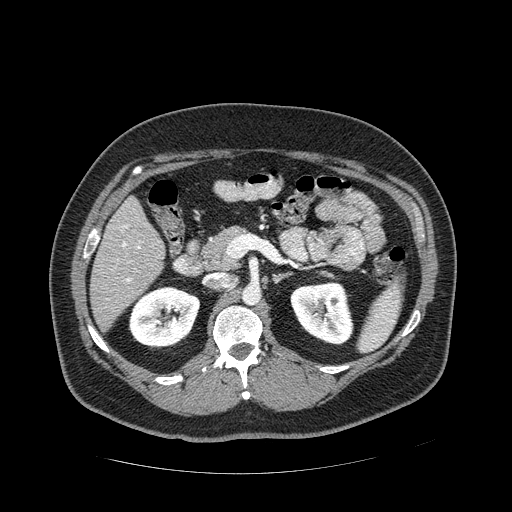
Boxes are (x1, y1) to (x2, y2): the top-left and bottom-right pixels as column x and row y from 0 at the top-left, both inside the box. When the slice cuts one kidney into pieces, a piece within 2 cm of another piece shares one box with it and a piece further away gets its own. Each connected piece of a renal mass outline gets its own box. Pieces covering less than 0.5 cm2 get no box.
This is axial slice 270 of 389 (slice 1 is the lowest) of an arterial-phase abdominal CT with contrast; each pixel is 0.869 mm and the slice is 1.25 mm thick. Two boxes on this slice (two kidney boxes), listed by box centre from the image's left to its right. (1) Box (129, 286) to (200, 349): right kidney (outlined area 3,402 px, about 25.7 cm2). (2) Box (290, 281) to (353, 344): left kidney (outlined area 3,066 px, about 23.2 cm2). This slice carries no renal mass outline.
Acquired at 120 kVp and reconstructed with the STANDARD kernel.